Arterial-phase contrast-enhanced abdominal CT, axial slice 478 of 705 (counted from the lowest slice); tube voltage 120 kVp, convolution kernel I30f; slices 1.00 mm thick, 0.703 mm per pixel.
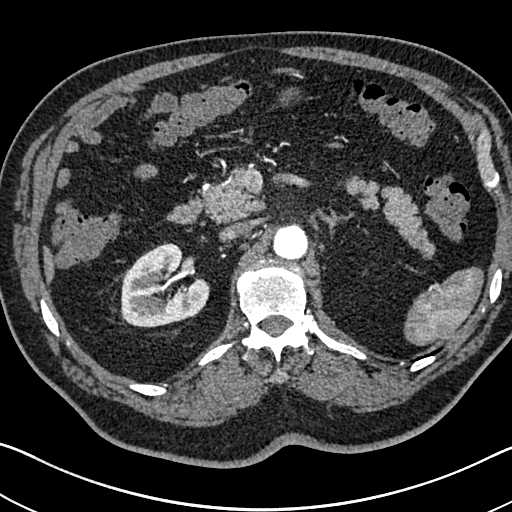
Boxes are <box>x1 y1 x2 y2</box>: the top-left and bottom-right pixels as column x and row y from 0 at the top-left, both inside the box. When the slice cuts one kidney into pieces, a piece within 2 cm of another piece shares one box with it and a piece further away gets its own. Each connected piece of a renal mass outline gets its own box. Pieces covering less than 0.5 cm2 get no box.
At <box>120 242 209 327</box>: right kidney (outlined area 5,392 px, about 26.7 cm2). This slice carries no renal mass outline.